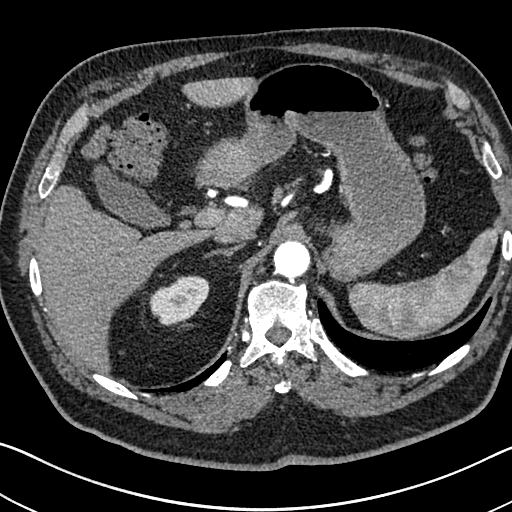
Arterial-phase contrast-enhanced abdominal CT, axial slice 548 of 705 (counted from the lowest slice); tube voltage 120 kVp, convolution kernel I30f; slices 1.00 mm thick, 0.703 mm per pixel.
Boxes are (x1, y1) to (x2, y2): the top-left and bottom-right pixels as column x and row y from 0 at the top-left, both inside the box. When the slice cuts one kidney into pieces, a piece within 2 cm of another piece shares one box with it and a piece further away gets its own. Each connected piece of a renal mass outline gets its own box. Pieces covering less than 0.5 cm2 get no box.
Box (149, 275) to (209, 326): right kidney (outlined area 2,134 px, about 10.6 cm2). No renal mass outline on this slice.